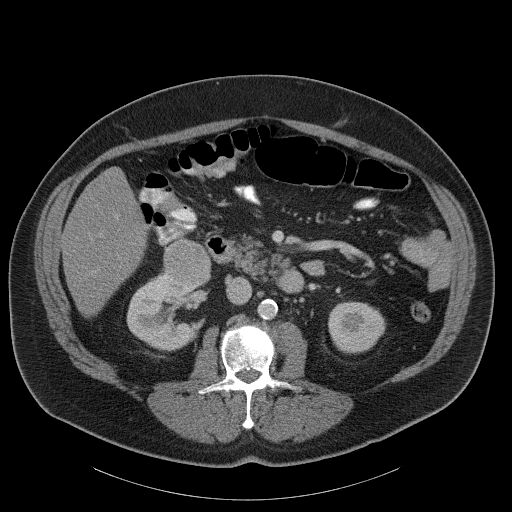
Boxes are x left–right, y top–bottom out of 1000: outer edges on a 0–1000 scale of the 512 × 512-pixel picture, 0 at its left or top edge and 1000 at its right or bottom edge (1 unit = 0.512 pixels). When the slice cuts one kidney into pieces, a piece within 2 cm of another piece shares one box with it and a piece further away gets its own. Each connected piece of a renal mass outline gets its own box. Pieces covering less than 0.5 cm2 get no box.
This is axial slice 62 of 107 (slice 1 is the lowest) of an abdominal CT with contrast; each pixel is 0.941 mm and the slice is 5.00 mm thick. Boxed on this slice (two kidney boxes and one renal mass box), listed by box centre from the image's left to its right: (1) Right kidney at x 246–387, y 523–688 out of 1000 (outlined area 3,870 px, about 34.3 cm2). (2) Right renal mass, box x 318–414, y 467–566 out of 1000 (outlined area 2,037 px, about 18.1 cm2). (3) Left kidney at x 641–754, y 588–691 out of 1000 (outlined area 2,398 px, about 21.3 cm2).
Tube voltage 120 kVp; convolution kernel B31f.